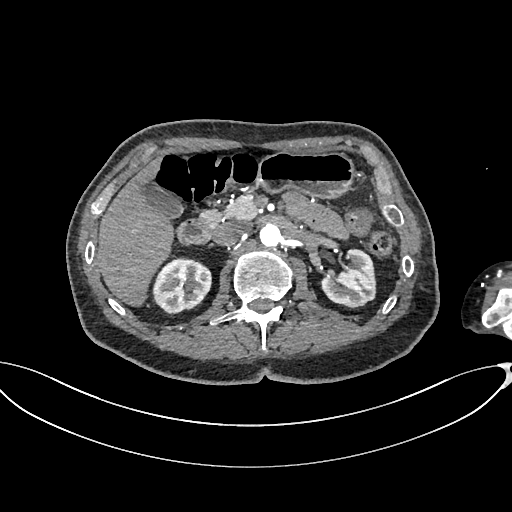
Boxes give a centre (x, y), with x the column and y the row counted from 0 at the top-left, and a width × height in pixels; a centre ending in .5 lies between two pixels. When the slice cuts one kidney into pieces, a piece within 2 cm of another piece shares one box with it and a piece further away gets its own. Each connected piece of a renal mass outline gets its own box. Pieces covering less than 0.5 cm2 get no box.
Slice 424/665 of a contrast-enhanced abdominal CT in the arterial phase, counting up from the lowest; pixel size 0.828 mm, slice thickness 1.00 mm. Two kidney boxes on this slice; by box centre, from the image's left to its right: (1) Box centre (181.5, 286), 60 × 59 pixels: right kidney (outlined area 2,593 px, about 17.8 cm2). (2) Left kidney in a box with centre (348.5, 278), 56 × 61 pixels (outlined area 2,363 px, about 16.2 cm2). No renal mass outline on this slice.
Acquired at 100 kVp and reconstructed with the I26f kernel.